Arterial-phase contrast-enhanced abdominal CT, axial slice 63 of 234 (counted from the lowest slice); tube voltage 100 kVp, convolution kernel I40f; slices 2.00 mm thick, 0.699 mm per pixel.
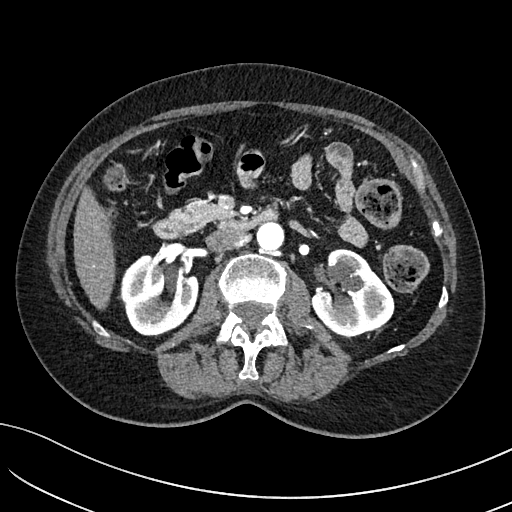
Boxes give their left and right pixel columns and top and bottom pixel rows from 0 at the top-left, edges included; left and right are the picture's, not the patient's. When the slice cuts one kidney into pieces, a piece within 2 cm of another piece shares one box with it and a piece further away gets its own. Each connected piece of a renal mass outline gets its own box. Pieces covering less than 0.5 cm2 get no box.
Two boxes on this slice (two kidney boxes), listed by box centre from the image's left to its right. (1) Box with left 120, top 255, right 198, bottom 336: right kidney (outlined area 4,687 px, about 22.9 cm2). (2) Left kidney in the box with left 309, top 248, right 394, bottom 336 (outlined area 5,200 px, about 25.4 cm2). No renal mass outline on this slice.